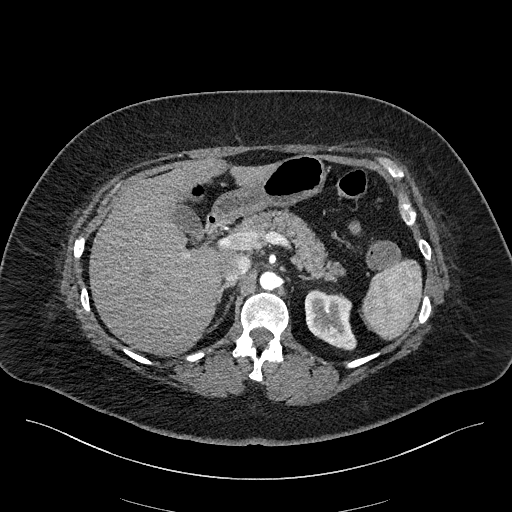
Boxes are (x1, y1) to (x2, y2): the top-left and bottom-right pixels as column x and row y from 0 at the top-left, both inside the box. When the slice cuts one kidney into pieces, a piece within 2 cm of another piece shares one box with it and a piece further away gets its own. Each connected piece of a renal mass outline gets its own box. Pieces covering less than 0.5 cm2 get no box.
Slice 148/270 of a contrast-enhanced abdominal CT in the arterial phase, counting up from the lowest; pixel size 0.855 mm, slice thickness 2.00 mm. Left kidney from (304, 289) to (356, 350) (outlined area 2,329 px, about 17.0 cm2). This slice carries no renal mass outline.
Scan settings: 100 kVp, I40f reconstruction kernel.